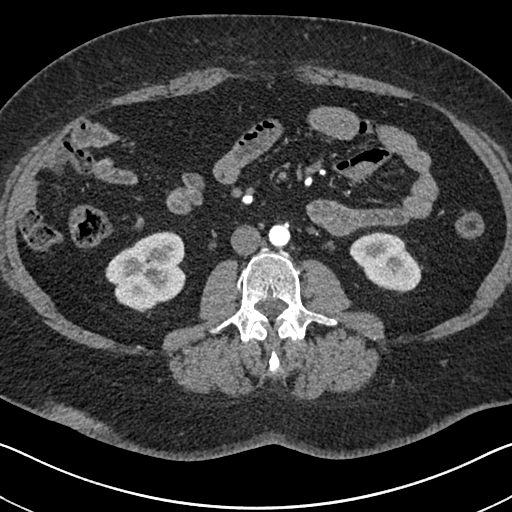
One axial slice (319 of 591, counting up from the lowest) of an arterial-phase abdominal CT acquired with 140 kVp, kernel I30f; each pixel is 0.703 mm and the slice is 1.00 mm thick.
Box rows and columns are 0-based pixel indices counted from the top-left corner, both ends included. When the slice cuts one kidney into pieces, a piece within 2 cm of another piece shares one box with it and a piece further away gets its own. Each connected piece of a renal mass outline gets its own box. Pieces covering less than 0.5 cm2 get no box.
Two kidney boxes on this slice; by box centre, from the image's left to its right: (1) Right kidney, box rows 231–312, columns 105–185 (outlined area 4,692 px, about 23.2 cm2). (2) Box rows 232–293, columns 349–423: left kidney (outlined area 3,034 px, about 15.0 cm2). This slice carries no renal mass outline.